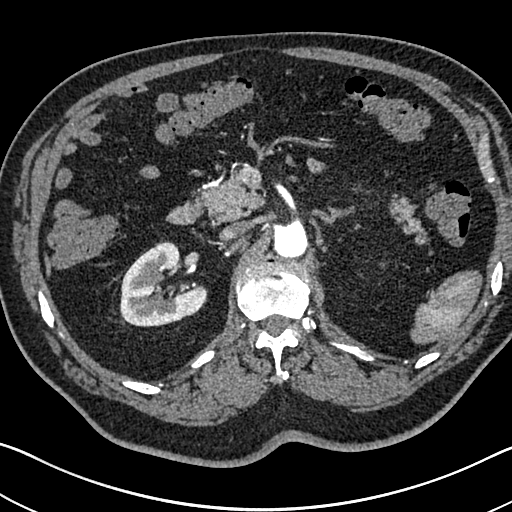
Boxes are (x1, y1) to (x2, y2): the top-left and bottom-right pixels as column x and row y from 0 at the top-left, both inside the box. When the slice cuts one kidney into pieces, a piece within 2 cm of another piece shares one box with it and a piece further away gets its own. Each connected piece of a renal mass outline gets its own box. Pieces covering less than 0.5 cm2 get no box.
This is axial slice 472 of 705 (slice 1 is the lowest) of an arterial-phase abdominal CT with contrast; each pixel is 0.703 mm and the slice is 1.00 mm thick. Box (120, 241) to (208, 326): right kidney (outlined area 5,050 px, about 25.0 cm2). No renal mass is outlined on this slice.
Tube voltage 120 kVp; convolution kernel I30f.